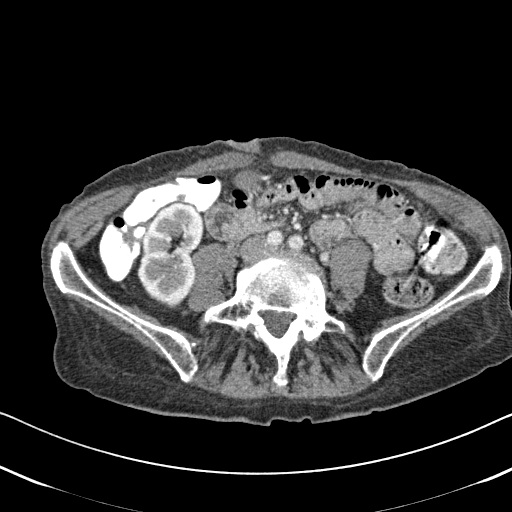
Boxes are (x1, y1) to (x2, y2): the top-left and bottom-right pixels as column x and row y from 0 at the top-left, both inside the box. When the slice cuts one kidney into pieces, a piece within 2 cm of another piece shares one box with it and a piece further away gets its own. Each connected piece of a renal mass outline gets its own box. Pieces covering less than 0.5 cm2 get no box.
Arterial-phase contrast-enhanced abdominal CT, axial slice 230 of 620 (counted from the lowest slice); 2.00 mm thick, 0.637 mm per pixel. Box (137, 201) to (204, 308): right kidney (outlined area 5,298 px, about 21.5 cm2). No renal mass outline on this slice.
Tube voltage 120 kVp; convolution kernel B31f.